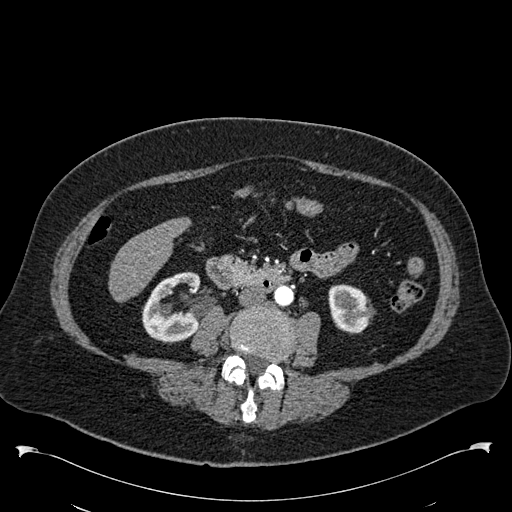
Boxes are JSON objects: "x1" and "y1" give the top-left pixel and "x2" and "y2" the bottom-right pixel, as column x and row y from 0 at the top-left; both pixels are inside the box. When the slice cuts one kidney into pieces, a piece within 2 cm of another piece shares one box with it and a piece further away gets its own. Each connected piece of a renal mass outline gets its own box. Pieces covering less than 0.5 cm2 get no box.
This is axial slice 254 of 538 (slice 1 is the lowest) of an arterial-phase abdominal CT with contrast; each pixel is 0.811 mm and the slice is 1.00 mm thick. Two boxes on this slice (two kidney boxes), listed by box centre from the image's left to its right. (1) Box {"x1": 142, "y1": 271, "x2": 201, "y2": 343}: right kidney (outlined area 2,984 px, about 19.6 cm2). (2) Left kidney at {"x1": 328, "y1": 284, "x2": 375, "y2": 333} (outlined area 1,760 px, about 11.6 cm2). This slice carries no renal mass outline.
Scan settings: 120 kVp, B30f reconstruction kernel.